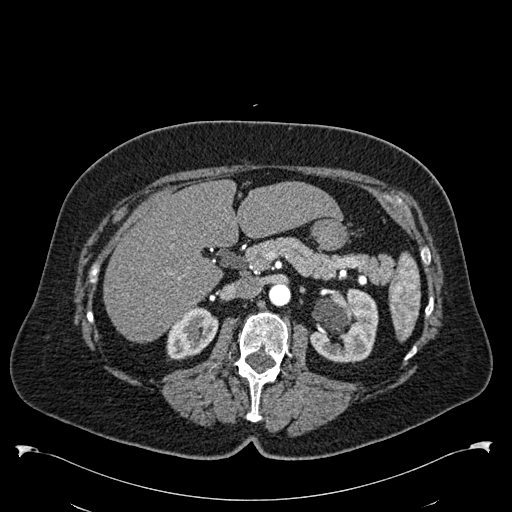
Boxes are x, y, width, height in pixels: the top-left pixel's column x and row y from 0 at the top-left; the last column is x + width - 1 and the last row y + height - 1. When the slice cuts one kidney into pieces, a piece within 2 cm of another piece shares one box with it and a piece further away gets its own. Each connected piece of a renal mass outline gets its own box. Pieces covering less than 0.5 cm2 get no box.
Slice 354/538 of a contrast-enhanced abdominal CT in the arterial phase, counting up from the lowest; pixel size 0.811 mm, slice thickness 1.00 mm. Two kidney boxes on this slice; by box centre, from the image's left to its right: (1) Box x 166, y 306, width 53, height 55: right kidney (outlined area 1,939 px, about 12.7 cm2). (2) Left kidney, box x 309, y 288, width 70, height 75 (outlined area 3,852 px, about 25.3 cm2). No renal mass outline on this slice.
Acquired at 120 kVp and reconstructed with the B30f kernel.